Axial slice 549 of 705 of a contrast-enhanced abdominal CT in the arterial phase (slice 1 is the lowest), 120 kVp, kernel I30f; 1.00 mm slice thickness and 0.703 mm pixels.
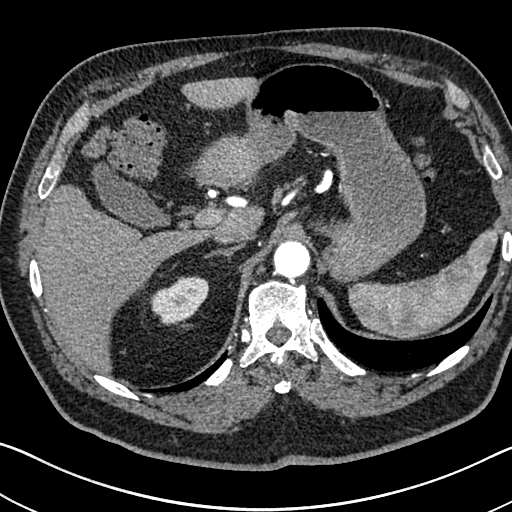
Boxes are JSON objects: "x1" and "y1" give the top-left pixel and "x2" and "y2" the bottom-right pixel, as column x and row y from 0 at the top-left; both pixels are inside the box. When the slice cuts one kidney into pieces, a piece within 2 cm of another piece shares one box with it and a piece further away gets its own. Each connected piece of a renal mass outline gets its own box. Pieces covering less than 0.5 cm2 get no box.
Right kidney at {"x1": 149, "y1": 276, "x2": 208, "y2": 325} (outlined area 2,002 px, about 9.9 cm2). No renal mass is outlined on this slice.